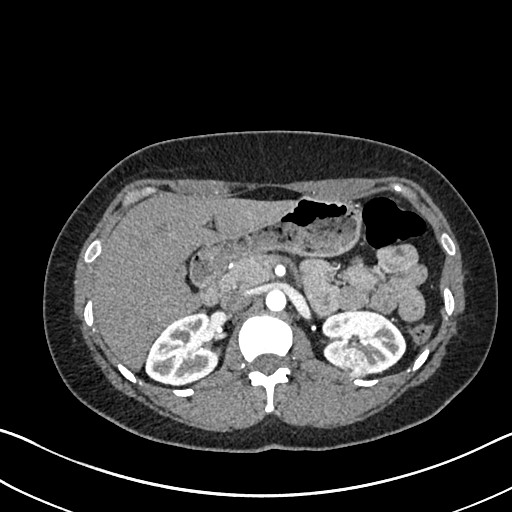
Arterial-phase contrast-enhanced abdominal CT, axial slice 447 of 612 (counted from the lowest slice); tube voltage 120 kVp, convolution kernel I30f; slices 1.00 mm thick, 0.703 mm per pixel.
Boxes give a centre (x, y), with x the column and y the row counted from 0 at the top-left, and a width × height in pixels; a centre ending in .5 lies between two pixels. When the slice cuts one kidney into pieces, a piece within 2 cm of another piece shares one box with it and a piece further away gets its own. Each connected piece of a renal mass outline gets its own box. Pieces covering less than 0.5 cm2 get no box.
Boxed on this slice (two kidney boxes and one renal mass box), listed by box centre from the image's left to its right: (1) Box centre (182, 349), 75 × 75 pixels: right kidney (outlined area 3,943 px, about 19.5 cm2). (2) Left renal mass in a box with centre (356.5, 363.5), 28 × 34 pixels (outlined area 677 px, about 3.3 cm2). (3) Left kidney in a box with centre (363.5, 341.5), 86 × 66 pixels (outlined area 3,760 px, about 18.6 cm2).